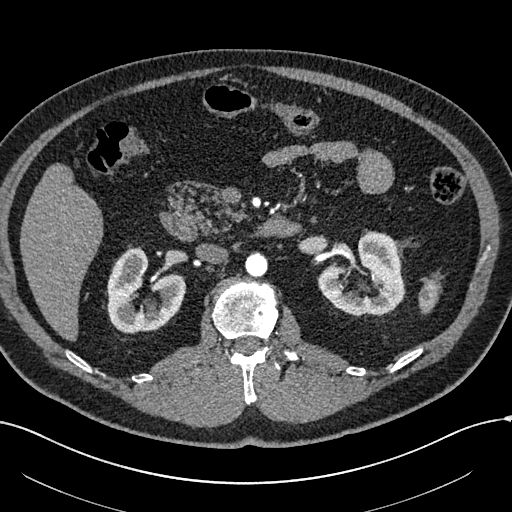
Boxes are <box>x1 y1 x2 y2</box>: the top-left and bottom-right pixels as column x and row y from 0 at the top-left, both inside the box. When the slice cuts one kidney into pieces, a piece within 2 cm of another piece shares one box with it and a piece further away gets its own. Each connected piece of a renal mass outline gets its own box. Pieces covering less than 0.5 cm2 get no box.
Slice 355/602 of a contrast-enhanced abdominal CT in the arterial phase, counting up from the lowest; pixel size 0.799 mm, slice thickness 1.00 mm. Two kidney boxes on this slice; by box centre, from the image's left to its right: (1) Right kidney at <box>107 247 186 333</box> (outlined area 4,558 px, about 29.1 cm2). (2) At <box>318 231 405 315</box>: left kidney (outlined area 4,843 px, about 30.9 cm2). No renal mass is outlined on this slice.
Tube voltage 120 kVp; convolution kernel I30f.